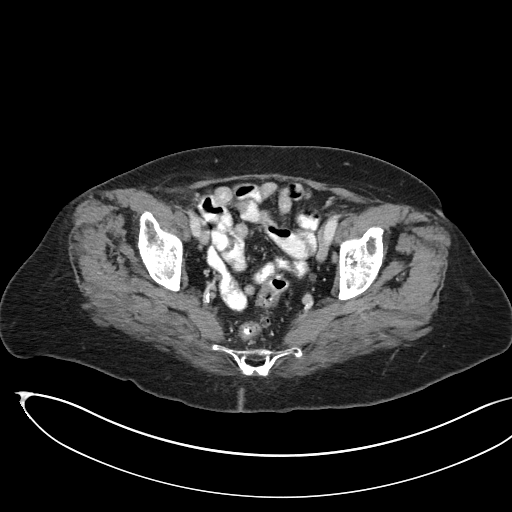
Arterial-phase contrast-enhanced abdominal CT, axial slice 38 of 145 (counted from the lowest slice); tube voltage 100 kVp, convolution kernel I40f; slices 3.00 mm thick, 0.834 mm per pixel.
Outside the outlined region: no kidney outline and no renal mass outline on this slice. The scan's outlines cover only kidneys and renal masses; no other organ is outlined.